One axial slice (27 of 285, counting up from the lowest) of an arterial-phase abdominal CT acquired with 120 kVp, kernel B31f; each pixel is 0.762 mm and the slice is 2.00 mm thick.
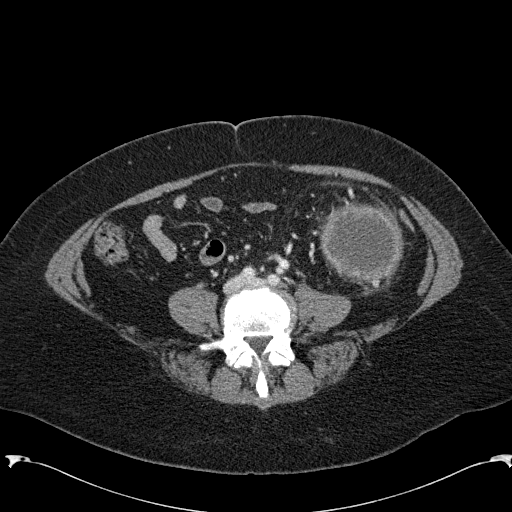
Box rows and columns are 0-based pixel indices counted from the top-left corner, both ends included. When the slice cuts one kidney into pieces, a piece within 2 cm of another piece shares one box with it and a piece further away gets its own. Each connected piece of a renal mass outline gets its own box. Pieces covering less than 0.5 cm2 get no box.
Box rows 203–281, columns 320–403: left renal mass (outlined area 5,269 px, about 30.6 cm2); no kidney is outlined on this slice, but the same outlined renal mass comes within 1 cm of the kidney on another slice.